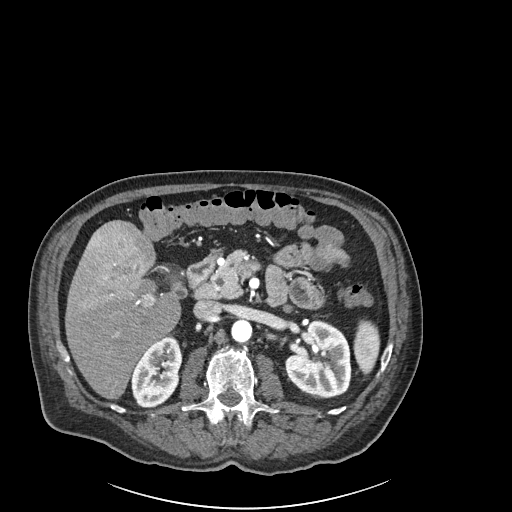
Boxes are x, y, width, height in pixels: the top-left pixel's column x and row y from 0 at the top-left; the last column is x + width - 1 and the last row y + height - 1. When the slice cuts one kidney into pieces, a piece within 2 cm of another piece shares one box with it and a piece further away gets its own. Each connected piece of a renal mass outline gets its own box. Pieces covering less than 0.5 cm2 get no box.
Arterial-phase contrast-enhanced abdominal CT, axial slice 122 of 261 (counted from the lowest slice); 2.00 mm thick, 0.939 mm per pixel. Two kidney boxes on this slice; by box centre, from the image's left to its right: (1) Right kidney at x 130, y 336, width 53, height 73 (outlined area 2,707 px, about 23.9 cm2). (2) Left kidney, box x 285, y 319, width 66, height 78 (outlined area 3,912 px, about 34.5 cm2). No renal mass is outlined on this slice.
Tube voltage 120 kVp; convolution kernel I30f.